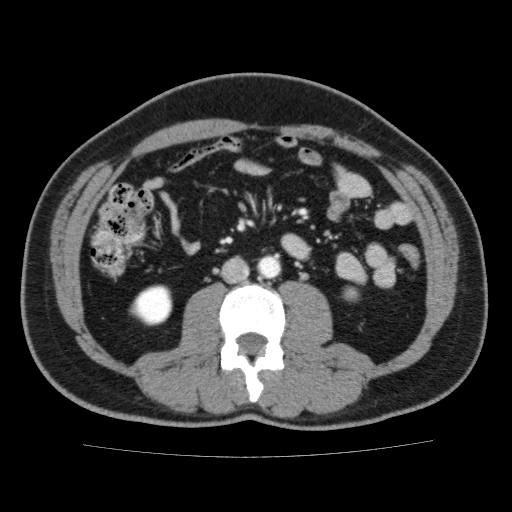
Abdominal CT with intravenous contrast, axial plane, 120 kVp, kernel FC13. Slice 86/159 from the bottom of the scan; thickness 3.00 mm; pixel size 0.668 mm.
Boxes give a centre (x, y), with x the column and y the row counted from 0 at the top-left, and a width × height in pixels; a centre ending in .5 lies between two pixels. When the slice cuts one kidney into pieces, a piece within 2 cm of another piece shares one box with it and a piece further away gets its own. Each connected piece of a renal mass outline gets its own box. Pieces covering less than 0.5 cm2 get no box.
Two kidney boxes on this slice; by box centre, from the image's left to its right: (1) Right kidney in a box with centre (150.5, 304.5), 44 × 42 pixels (outlined area 1,359 px, about 6.1 cm2). (2) Box centre (350.5, 293.5), 18 × 16 pixels: left kidney (outlined area 226 px, about 1.0 cm2). No renal mass outline on this slice.